One axial slice (283 of 705, counting up from the lowest) of an arterial-phase abdominal CT acquired with 120 kVp, kernel I30f; each pixel is 0.703 mm and the slice is 1.00 mm thick.
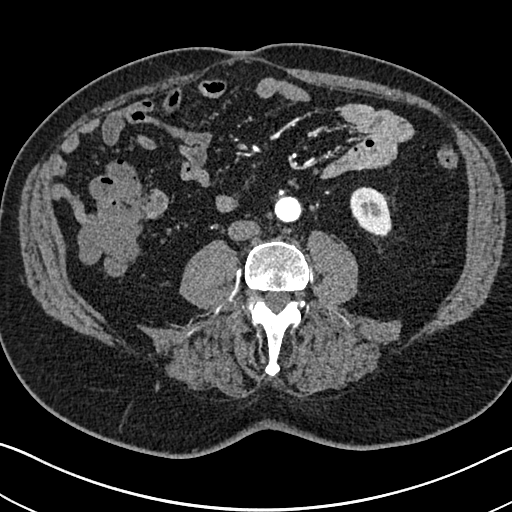
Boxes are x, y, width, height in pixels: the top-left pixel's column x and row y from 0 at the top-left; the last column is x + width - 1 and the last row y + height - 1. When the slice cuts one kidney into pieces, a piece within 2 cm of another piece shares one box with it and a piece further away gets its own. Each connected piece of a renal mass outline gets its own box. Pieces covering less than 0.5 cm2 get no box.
Left kidney, box x 350, y 187, width 42, height 50 (outlined area 1,578 px, about 7.8 cm2). This slice carries no renal mass outline.